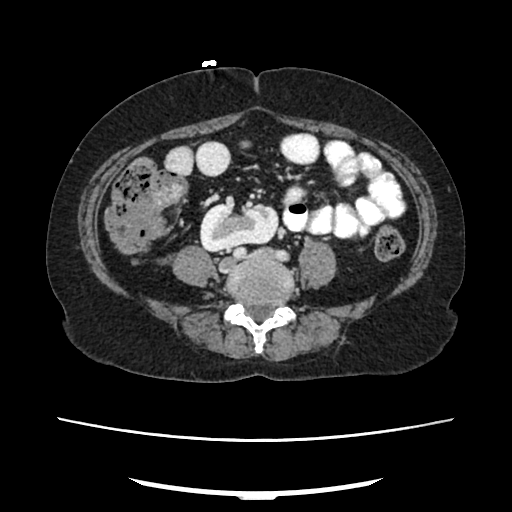
Abdominal CT with intravenous contrast, arterial phase, axial plane, 120 kVp, kernel FC18. Slice 96/207 from the bottom of the scan; thickness 2.00 mm; pixel size 0.741 mm.
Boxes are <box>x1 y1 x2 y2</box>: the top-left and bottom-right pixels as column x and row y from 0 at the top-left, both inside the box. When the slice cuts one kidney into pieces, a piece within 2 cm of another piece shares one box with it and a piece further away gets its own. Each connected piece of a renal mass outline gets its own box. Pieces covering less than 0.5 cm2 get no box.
Right kidney: <box>200 202 278 252</box> (outlined area 3,137 px, about 17.2 cm2). This slice carries no renal mass outline.